Contrast-enhanced abdominal CT, axial slice 13 of 61 (counted from the lowest slice); tube voltage 140 kVp, convolution kernel B41f; slices 3.00 mm thick, 0.939 mm per pixel.
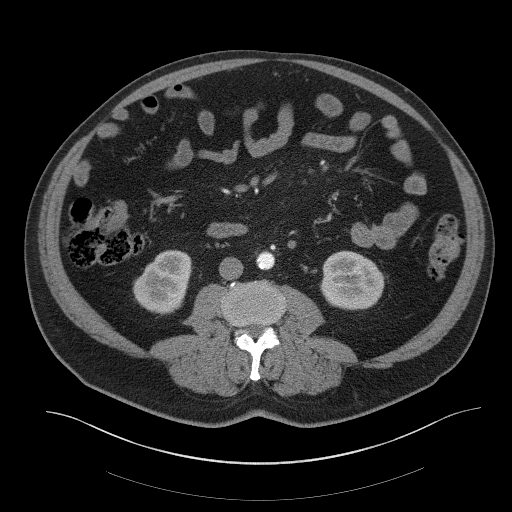
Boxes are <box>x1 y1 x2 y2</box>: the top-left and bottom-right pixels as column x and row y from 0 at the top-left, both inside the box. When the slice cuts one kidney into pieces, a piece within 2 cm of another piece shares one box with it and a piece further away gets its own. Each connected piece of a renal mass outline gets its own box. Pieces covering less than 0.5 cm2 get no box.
Boxed on this slice (two kidney boxes), listed by box centre from the image's left to its right: (1) Right kidney: <box>132 250 192 314</box> (outlined area 2,800 px, about 24.7 cm2). (2) Left kidney at <box>320 250 384 310</box> (outlined area 3,054 px, about 27.0 cm2). This slice carries no renal mass outline.